Arterial-phase contrast-enhanced abdominal CT, axial slice 443 of 723 (counted from the lowest slice); tube voltage 120 kVp, convolution kernel B30f; slices 1.00 mm thick, 0.895 mm per pixel.
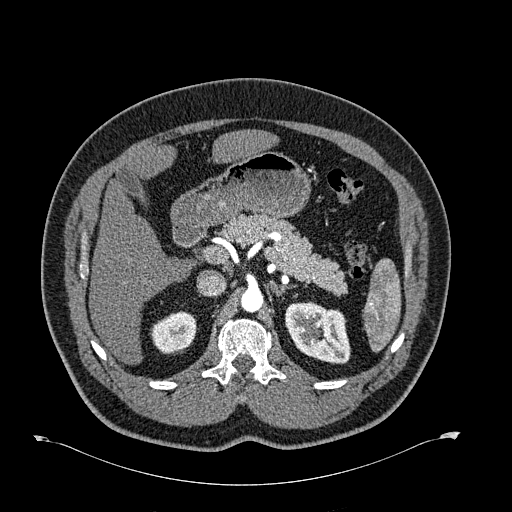
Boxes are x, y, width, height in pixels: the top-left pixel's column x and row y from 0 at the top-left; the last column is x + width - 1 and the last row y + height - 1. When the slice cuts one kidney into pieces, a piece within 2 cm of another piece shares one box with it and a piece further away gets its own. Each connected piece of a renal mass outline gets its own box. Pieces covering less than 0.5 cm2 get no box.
Two kidney boxes on this slice; by box centre, from the image's left to its right: (1) Right kidney at x 150, y 311, width 48, height 44 (outlined area 1,543 px, about 12.3 cm2). (2) Box x 285, y 301, width 65, height 63: left kidney (outlined area 3,092 px, about 24.7 cm2). No renal mass outline on this slice.